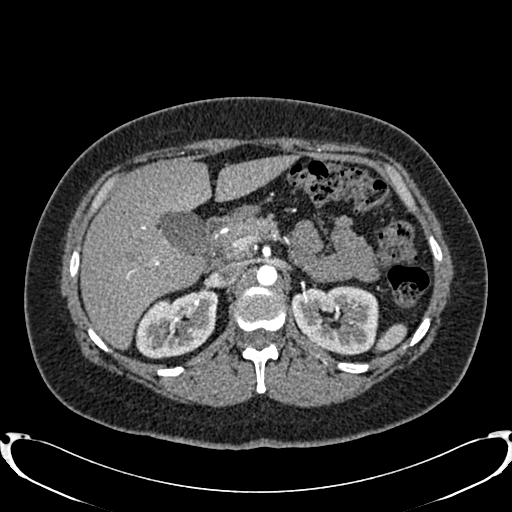
Arterial-phase contrast-enhanced abdominal CT, axial slice 537 of 719 (counted from the lowest slice); tube voltage 120 kVp, convolution kernel B20f; slices 1.00 mm thick, 0.766 mm per pixel.
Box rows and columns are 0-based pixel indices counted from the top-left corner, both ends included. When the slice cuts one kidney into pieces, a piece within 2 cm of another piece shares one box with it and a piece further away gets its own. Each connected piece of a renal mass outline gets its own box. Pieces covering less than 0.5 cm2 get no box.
Two boxes on this slice (two kidney boxes), listed by box centre from the image's left to its right. (1) Box rows 288–358, columns 135–218: right kidney (outlined area 4,263 px, about 25.0 cm2). (2) Left kidney, box rows 286–355, columns 290–379 (outlined area 4,783 px, about 28.0 cm2). This slice carries no renal mass outline.